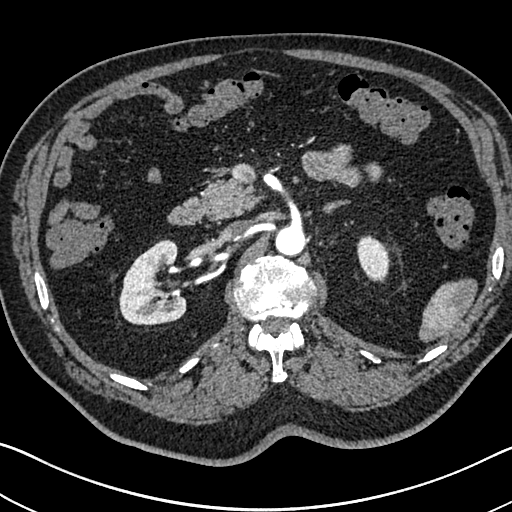
Abdominal CT with intravenous contrast, arterial phase, axial plane, 120 kVp, kernel I30f. Slice 460/705 from the bottom of the scan; thickness 1.00 mm; pixel size 0.703 mm.
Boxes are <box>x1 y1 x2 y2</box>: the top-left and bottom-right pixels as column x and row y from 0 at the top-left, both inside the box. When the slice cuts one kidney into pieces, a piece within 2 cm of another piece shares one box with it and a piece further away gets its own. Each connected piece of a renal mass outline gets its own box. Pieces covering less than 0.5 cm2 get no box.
Two boxes on this slice (two kidney boxes), listed by box centre from the image's left to its right. (1) Right kidney at <box>119 239 186 325</box> (outlined area 4,189 px, about 20.7 cm2). (2) At <box>356 235 390 282</box>: left kidney (outlined area 1,210 px, about 6.0 cm2). No renal mass outline on this slice.